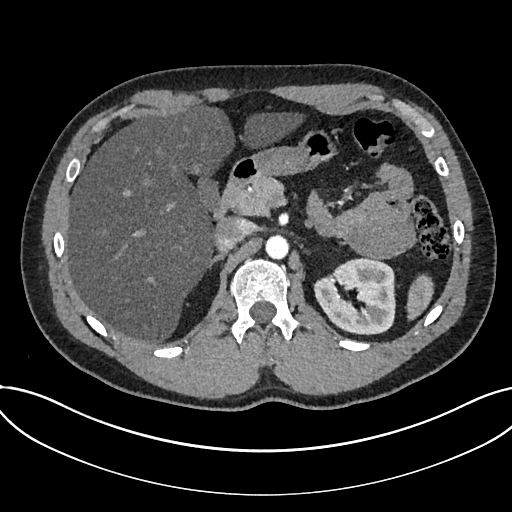
Axial slice 496 of 735 of a contrast-enhanced abdominal CT in the arterial phase (slice 1 is the lowest), 120 kVp, kernel I30f; 1.00 mm slice thickness and 0.789 mm pixels.
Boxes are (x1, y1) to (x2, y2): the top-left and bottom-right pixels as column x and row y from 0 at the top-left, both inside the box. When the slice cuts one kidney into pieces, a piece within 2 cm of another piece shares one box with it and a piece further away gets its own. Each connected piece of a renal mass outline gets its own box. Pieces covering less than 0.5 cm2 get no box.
Kidney from (313, 257) to (395, 335) (outlined area 4,797 px, about 29.9 cm2). No renal mass outline on this slice.